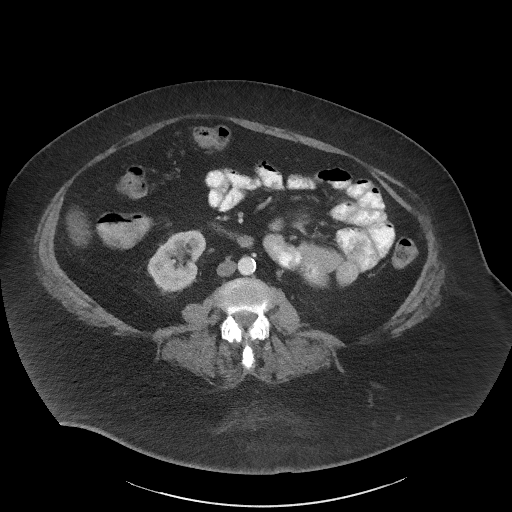
Arterial-phase contrast-enhanced abdominal CT, axial slice 16 of 61 (counted from the lowest slice); tube voltage 140 kVp, convolution kernel I41f; slices 3.00 mm thick, 0.947 mm per pixel.
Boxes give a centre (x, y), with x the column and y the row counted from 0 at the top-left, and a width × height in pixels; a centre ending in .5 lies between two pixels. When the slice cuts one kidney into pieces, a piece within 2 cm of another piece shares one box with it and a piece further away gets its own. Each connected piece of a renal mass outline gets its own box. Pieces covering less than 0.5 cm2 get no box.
Box centre (176.5, 261), 60 × 63 pixels: right kidney (outlined area 2,661 px, about 23.9 cm2). No renal mass outline on this slice.